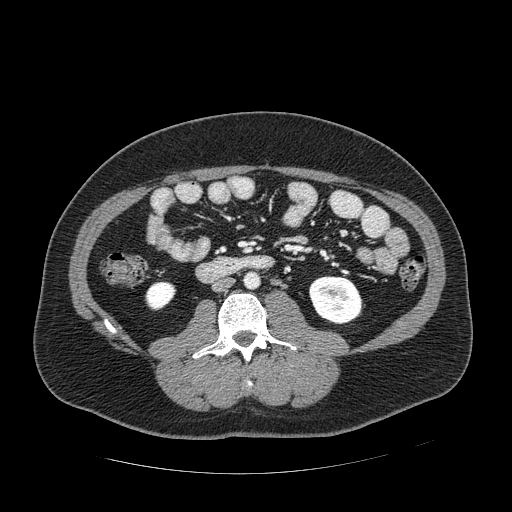
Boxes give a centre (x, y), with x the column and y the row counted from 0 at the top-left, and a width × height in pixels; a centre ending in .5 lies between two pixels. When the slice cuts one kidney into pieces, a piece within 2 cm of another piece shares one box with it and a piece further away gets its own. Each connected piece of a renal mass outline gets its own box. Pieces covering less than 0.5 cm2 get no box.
Slice 224/389 of a contrast-enhanced abdominal CT in the arterial phase, counting up from the lowest; pixel size 0.869 mm, slice thickness 1.25 mm. Two kidney boxes on this slice; by box centre, from the image's left to its right: (1) Box centre (160.5, 295.5), 32 × 30 pixels: right kidney (outlined area 702 px, about 5.3 cm2). (2) Left kidney, box centre (335.5, 299.5), 54 × 50 pixels (outlined area 2,085 px, about 15.8 cm2). No renal mass outline on this slice.
Scan settings: 120 kVp, STANDARD reconstruction kernel.